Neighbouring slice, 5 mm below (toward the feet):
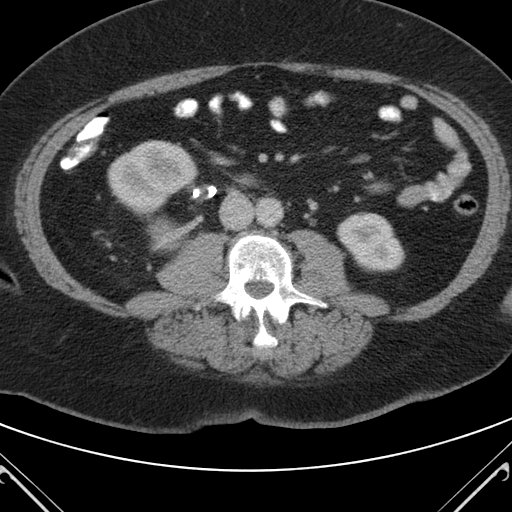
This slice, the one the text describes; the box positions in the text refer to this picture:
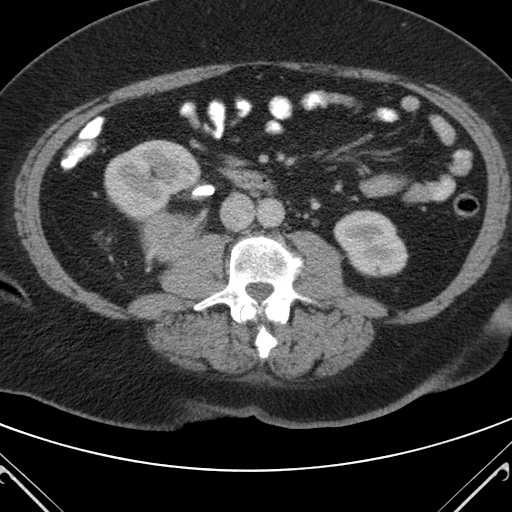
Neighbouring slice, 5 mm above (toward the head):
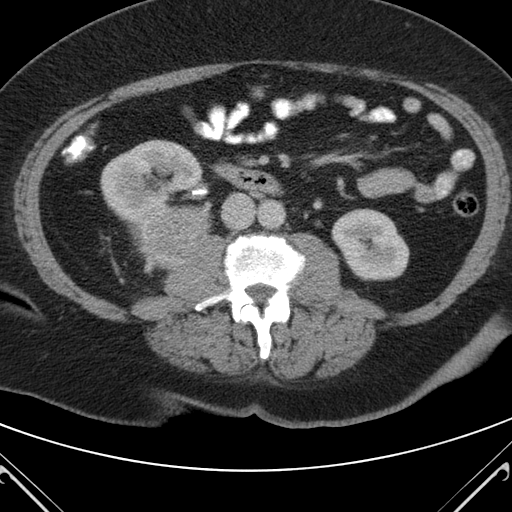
Axial slice 55 of 98 of a contrast-enhanced abdominal CT in the arterial phase (slice 1 is the lowest), 120 kVp, kernel B; 5.00 mm slice thickness and 0.703 mm pixels.
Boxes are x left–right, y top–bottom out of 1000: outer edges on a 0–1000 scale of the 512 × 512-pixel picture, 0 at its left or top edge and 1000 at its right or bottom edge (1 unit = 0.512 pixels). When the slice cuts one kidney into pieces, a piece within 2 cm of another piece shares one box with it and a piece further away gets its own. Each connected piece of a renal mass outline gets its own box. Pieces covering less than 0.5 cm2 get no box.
Boxed on this slice (two kidney boxes and one renal mass box), listed by box centre from the image's left to its right: (1) Right kidney at x 203–395, y 271–439 out of 1000 (outlined area 5,490 px, about 27.1 cm2). (2) Right renal mass at x 271–402, y 404–518 out of 1000 (outlined area 2,795 px, about 13.8 cm2). (3) Left kidney, box x 650–799, y 410–541 out of 1000 (outlined area 3,676 px, about 18.2 cm2). This slice lies near the end of the right renal mass toward the feet; the slices 5 mm below and 5 mm above it are shown too, and the boxes mark positions on this slice only.